Axial slice 191 of 1059 of a contrast-enhanced abdominal CT in the arterial phase (slice 1 is the lowest), 100 kVp, kernel I30f; 1.00 mm slice thickness and 0.811 mm pixels.
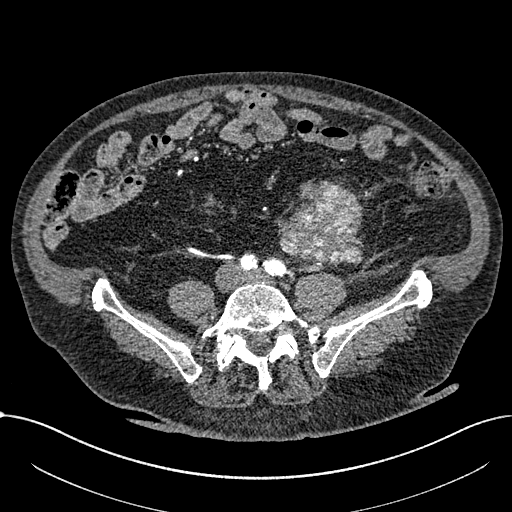
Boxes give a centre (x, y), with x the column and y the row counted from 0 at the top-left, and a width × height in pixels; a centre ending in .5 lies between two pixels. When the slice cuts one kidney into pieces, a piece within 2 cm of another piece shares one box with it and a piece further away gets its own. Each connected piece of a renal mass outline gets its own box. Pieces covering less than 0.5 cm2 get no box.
Renal mass, box centre (321, 222.5), 85 × 86 pixels (outlined area 5,284 px, about 34.7 cm2); no kidney outline appears on this slice, but the same outlined renal mass comes within 1 cm of the kidney on another slice.